Abdominal CT with intravenous contrast, arterial phase, axial plane, 120 kVp, kernel B20f. Slice 380/553 from the bottom of the scan; thickness 1.00 mm; pixel size 0.773 mm.
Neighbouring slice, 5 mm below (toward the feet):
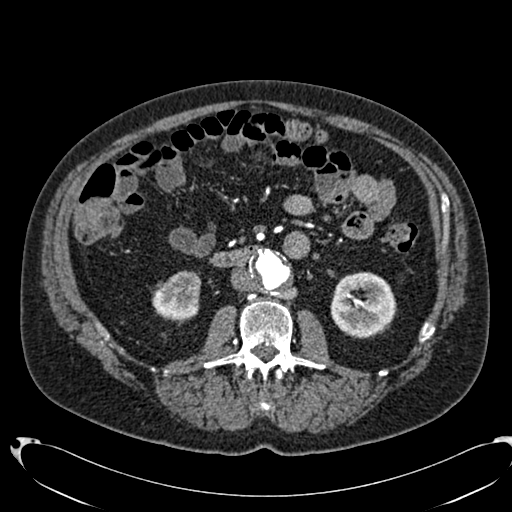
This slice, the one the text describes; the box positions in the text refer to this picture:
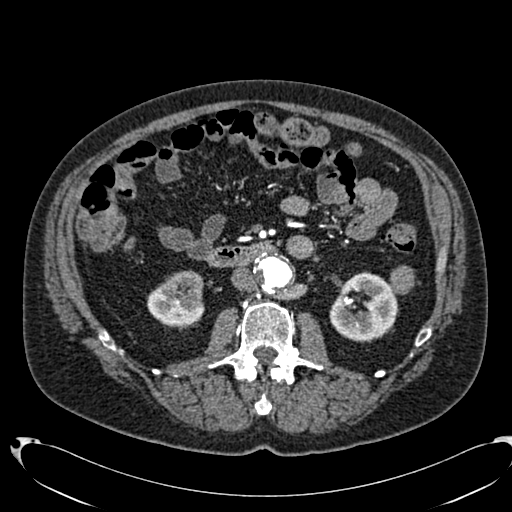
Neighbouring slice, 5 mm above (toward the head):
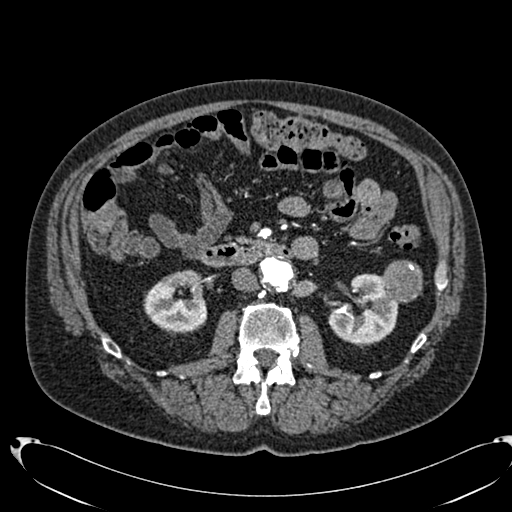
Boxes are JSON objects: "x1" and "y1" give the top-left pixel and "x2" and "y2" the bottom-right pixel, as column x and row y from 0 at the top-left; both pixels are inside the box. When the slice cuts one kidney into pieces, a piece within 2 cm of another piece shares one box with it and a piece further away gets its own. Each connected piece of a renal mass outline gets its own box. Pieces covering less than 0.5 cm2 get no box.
Three boxes on this slice (two kidney boxes and one renal mass box), listed by box centre from the image's left to its right. (1) Box {"x1": 147, "y1": 270, "x2": 204, "y2": 330}: right kidney (outlined area 2,571 px, about 15.4 cm2). (2) Box {"x1": 329, "y1": 272, "x2": 397, "y2": 341}: left kidney (outlined area 3,420 px, about 20.5 cm2). (3) Left renal mass, box {"x1": 390, "y1": 265, "x2": 414, "y2": 294} (outlined area 601 px, about 3.6 cm2). This slice is near the end of the left renal mass toward the feet, so the slices 5 mm below and 5 mm above it are shown as well; the boxes refer to this slice only.